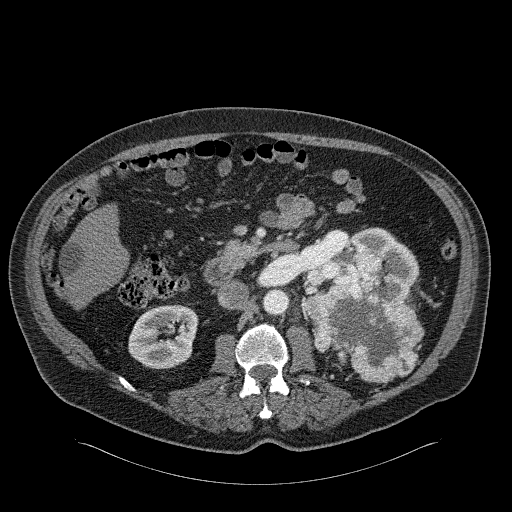
Axial slice 120 of 326 of a contrast-enhanced abdominal CT in the arterial phase (slice 1 is the lowest), 120 kVp, kernel B31f; 2.00 mm slice thickness and 0.963 mm pixels.
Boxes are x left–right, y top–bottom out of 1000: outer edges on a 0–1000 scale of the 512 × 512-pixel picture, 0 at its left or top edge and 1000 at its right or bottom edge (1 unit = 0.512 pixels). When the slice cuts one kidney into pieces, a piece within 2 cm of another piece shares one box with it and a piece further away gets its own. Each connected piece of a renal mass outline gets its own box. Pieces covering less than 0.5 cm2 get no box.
Two kidney boxes and one renal mass box on this slice; by box centre, from the image's left to its right: (1) Box x 250–389, y 594–723 out of 1000: right kidney (outlined area 3,539 px, about 32.8 cm2). (2) Box x 598–820, y 443–594 out of 1000: left kidney (outlined area 3,644 px, about 33.8 cm2). (3) Left renal mass at x 594–830, y 490–750 out of 1000 (outlined area 9,252 px, about 85.8 cm2).